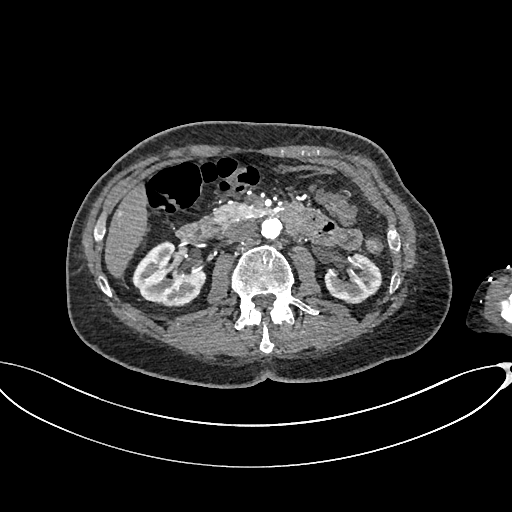
Abdominal CT with intravenous contrast, arterial phase, axial plane, 100 kVp, kernel I26f. Slice 384/665 from the bottom of the scan; thickness 1.00 mm; pixel size 0.828 mm.
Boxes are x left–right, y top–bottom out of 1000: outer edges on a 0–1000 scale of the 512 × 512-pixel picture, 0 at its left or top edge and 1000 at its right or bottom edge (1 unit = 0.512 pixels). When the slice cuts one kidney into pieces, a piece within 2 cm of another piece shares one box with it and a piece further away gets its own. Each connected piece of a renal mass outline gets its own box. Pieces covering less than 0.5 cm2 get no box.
Two boxes on this slice (two kidney boxes), listed by box centre from the image's left to its right. (1) Right kidney, box x 256–404, y 471–600 out of 1000 (outlined area 3,384 px, about 23.2 cm2). (2) Left kidney, box x 633–748, y 496–594 out of 1000 (outlined area 2,044 px, about 14.0 cm2). No renal mass is outlined on this slice.